Abdominal CT with intravenous contrast, axial plane, 120 kVp, kernel STANDARD. Slice 46/103 from the bottom of the scan; thickness 2.50 mm; pixel size 0.736 mm.
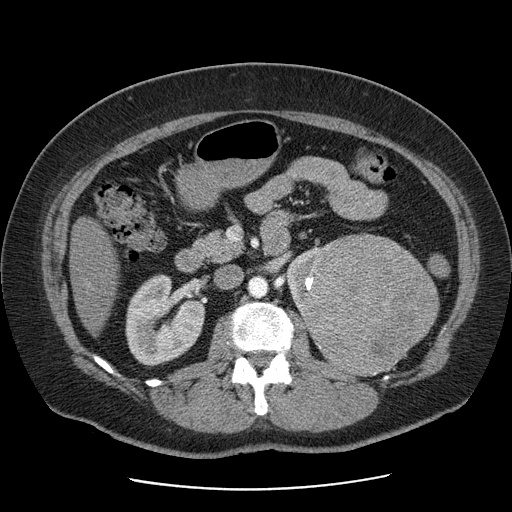
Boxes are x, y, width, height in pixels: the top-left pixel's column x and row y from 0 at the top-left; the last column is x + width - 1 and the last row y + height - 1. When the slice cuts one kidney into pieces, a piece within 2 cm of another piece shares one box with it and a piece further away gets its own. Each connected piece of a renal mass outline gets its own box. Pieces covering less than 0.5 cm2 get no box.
Two kidney boxes and one renal mass box on this slice; by box centre, from the image's left to its right: (1) Box x 125, y 274, width 81, height 93: right kidney (outlined area 5,375 px, about 29.1 cm2). (2) Left kidney, box x 287, y 246, width 36, height 67 (outlined area 1,205 px, about 6.5 cm2). (3) Left renal mass at x 300, y 232, width 140, height 146 (outlined area 14,624 px, about 79.3 cm2).